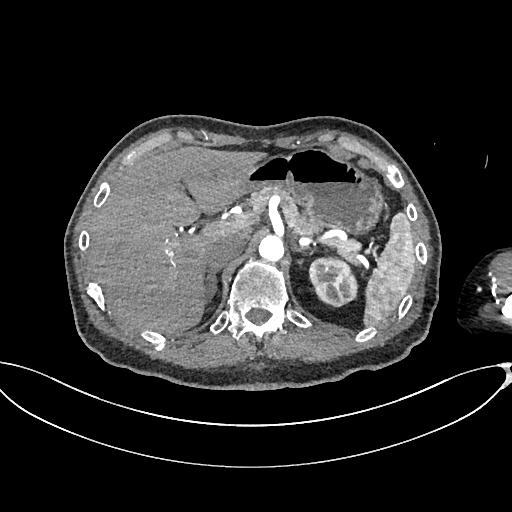
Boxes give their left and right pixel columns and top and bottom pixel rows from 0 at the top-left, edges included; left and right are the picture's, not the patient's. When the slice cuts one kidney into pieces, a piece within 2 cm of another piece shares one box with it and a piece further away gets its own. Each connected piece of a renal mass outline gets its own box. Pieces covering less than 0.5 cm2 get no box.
Slice 495/665 of a contrast-enhanced abdominal CT in the arterial phase, counting up from the lowest; pixel size 0.828 mm, slice thickness 1.00 mm. Left kidney in the box with left 308, top 255, right 358, bottom 307 (outlined area 1,968 px, about 13.5 cm2). This slice carries no renal mass outline.
Scan settings: 100 kVp, I26f reconstruction kernel.